Axial slice 416 of 1059 of a contrast-enhanced abdominal CT in the arterial phase (slice 1 is the lowest), 100 kVp, kernel I30f; 1.00 mm slice thickness and 0.811 mm pixels.
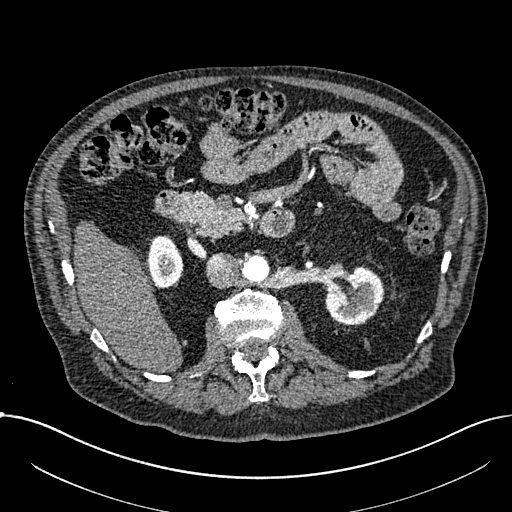
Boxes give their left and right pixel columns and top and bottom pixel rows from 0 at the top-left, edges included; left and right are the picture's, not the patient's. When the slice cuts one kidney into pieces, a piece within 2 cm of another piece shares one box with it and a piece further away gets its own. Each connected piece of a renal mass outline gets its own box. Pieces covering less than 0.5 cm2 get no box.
Two kidney boxes on this slice; by box centre, from the image's left to its right: (1) Right part of the midline-crossing kidney in the box with left 148, top 235, right 182, bottom 288 (outlined area 1,516 px, about 10.0 cm2). (2) Box with left 325, top 266, right 384, bottom 325: left part of the midline-crossing kidney (outlined area 2,531 px, about 16.6 cm2). This slice carries no renal mass outline.